Abdominal CT with intravenous contrast, axial plane, 120 kVp, kernel B41f. Slice 77/91 from the bottom of the scan; thickness 5.00 mm; pixel size 0.762 mm.
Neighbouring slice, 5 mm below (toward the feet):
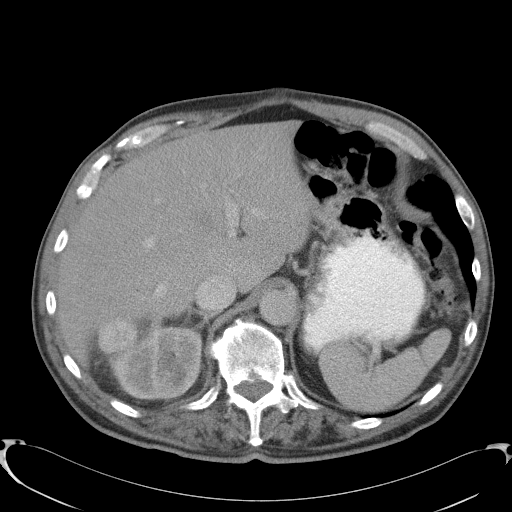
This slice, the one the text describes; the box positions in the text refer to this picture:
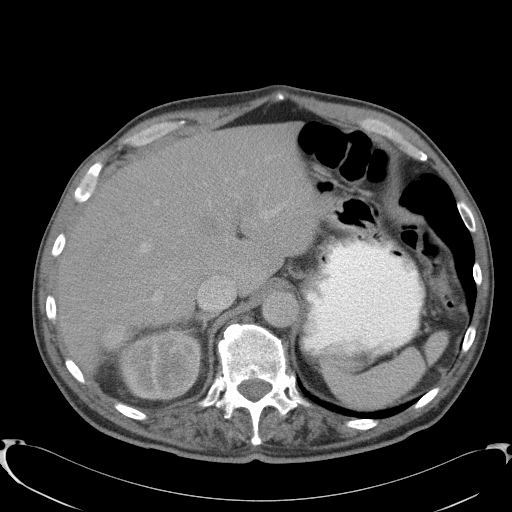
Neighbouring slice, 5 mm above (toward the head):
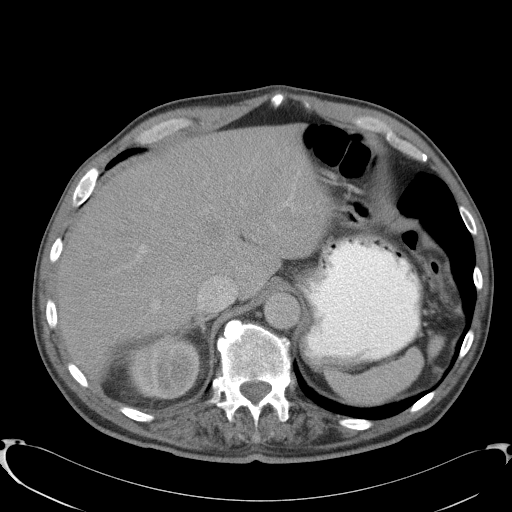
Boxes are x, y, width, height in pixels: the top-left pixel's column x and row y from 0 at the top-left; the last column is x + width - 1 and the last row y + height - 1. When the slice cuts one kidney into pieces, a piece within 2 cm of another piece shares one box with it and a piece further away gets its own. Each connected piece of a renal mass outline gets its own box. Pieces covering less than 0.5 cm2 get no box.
Boxed on this slice (one kidney box and one renal mass box), listed by box centre from the image's left to its right: (1) Right renal mass, box x 97, y 321, width 31, height 32 (outlined area 761 px, about 4.4 cm2). (2) Right kidney at x 116, y 329, width 86, height 71 (outlined area 4,817 px, about 27.9 cm2). This slice is near the end of the right renal mass toward the head, so the slices 5 mm below and 5 mm above it are shown as well; the boxes refer to this slice only.